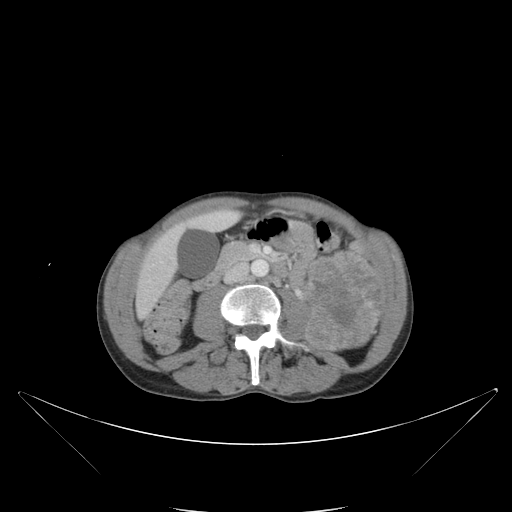
Axial slice 53 of 88 of a contrast-enhanced abdominal CT (slice 1 is the lowest), 120 kVp, kernel B; 5.00 mm slice thickness and 0.865 mm pixels.
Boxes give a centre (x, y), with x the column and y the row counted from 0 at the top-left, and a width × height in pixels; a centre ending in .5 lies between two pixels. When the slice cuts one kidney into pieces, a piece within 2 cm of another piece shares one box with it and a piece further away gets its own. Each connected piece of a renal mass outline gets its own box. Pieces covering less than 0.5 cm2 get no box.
Left renal mass, box centre (341.5, 300), 80 × 103 pixels (outlined area 6,640 px, about 49.7 cm2); no kidney outline appears on this slice, but the same outlined renal mass comes within 1 cm of the kidney on another slice.